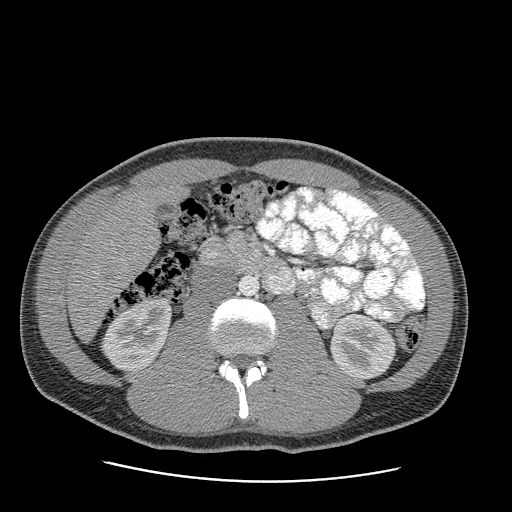
Arterial-phase contrast-enhanced abdominal CT, axial slice 138 of 199 (counted from the lowest slice); tube voltage 120 kVp, convolution kernel STANDARD; slices 2.50 mm thick, 0.789 mm per pixel.
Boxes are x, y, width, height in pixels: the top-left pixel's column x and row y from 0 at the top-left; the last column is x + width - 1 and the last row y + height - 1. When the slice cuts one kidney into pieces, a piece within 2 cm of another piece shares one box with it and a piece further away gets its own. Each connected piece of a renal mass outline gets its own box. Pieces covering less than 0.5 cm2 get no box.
Two boxes on this slice (two kidney boxes), listed by box centre from the image's left to its right. (1) Right kidney, box x 101, y 295, width 71, height 76 (outlined area 3,794 px, about 23.6 cm2). (2) Left kidney, box x 330, y 313, width 65, height 66 (outlined area 3,323 px, about 20.7 cm2). No renal mass outline on this slice.